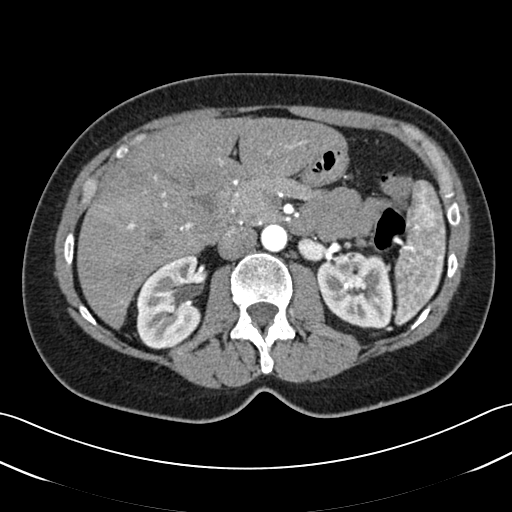
One axial slice (26 of 52, counting up from the lowest) of an arterial-phase abdominal CT acquired with 120 kVp, kernel B30f; each pixel is 0.678 mm and the slice is 3.00 mm thick.
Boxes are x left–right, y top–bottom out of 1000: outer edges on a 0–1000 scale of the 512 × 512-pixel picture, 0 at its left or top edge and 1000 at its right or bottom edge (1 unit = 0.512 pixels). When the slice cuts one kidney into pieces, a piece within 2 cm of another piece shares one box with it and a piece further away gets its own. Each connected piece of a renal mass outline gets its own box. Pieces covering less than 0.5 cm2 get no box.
Two boxes on this slice (two kidney boxes), listed by box centre from the image's left to its right. (1) Right kidney at x 266–406, y 498–682 out of 1000 (outlined area 4,933 px, about 22.7 cm2). (2) Box x 617–768, y 492–643 out of 1000: left kidney (outlined area 4,644 px, about 21.3 cm2). No renal mass outline on this slice.